Abdominal CT with intravenous contrast, axial plane, 120 kVp, kernel I40f. Slice 57/301 from the bottom of the scan; thickness 2.00 mm; pixel size 0.859 mm.
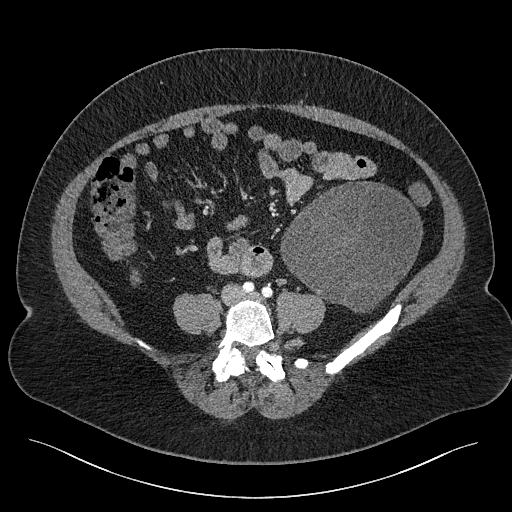
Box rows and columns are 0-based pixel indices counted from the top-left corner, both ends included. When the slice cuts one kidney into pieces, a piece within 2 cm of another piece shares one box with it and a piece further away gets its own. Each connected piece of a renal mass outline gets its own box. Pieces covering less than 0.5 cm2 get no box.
Left renal mass, box rows 180–312, columns 280–423 (outlined area 13,320 px, about 98.4 cm2); no kidney is outlined on this slice, but the same outlined renal mass comes within 1 cm of the kidney on another slice.